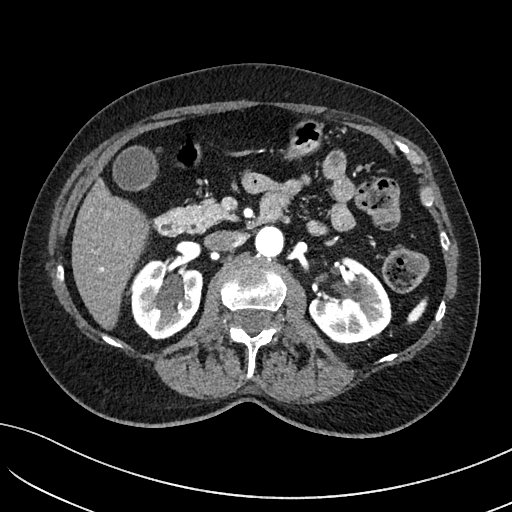
Arterial-phase contrast-enhanced abdominal CT, axial slice 73 of 234 (counted from the lowest slice); tube voltage 100 kVp, convolution kernel I40f; slices 2.00 mm thick, 0.699 mm per pixel.
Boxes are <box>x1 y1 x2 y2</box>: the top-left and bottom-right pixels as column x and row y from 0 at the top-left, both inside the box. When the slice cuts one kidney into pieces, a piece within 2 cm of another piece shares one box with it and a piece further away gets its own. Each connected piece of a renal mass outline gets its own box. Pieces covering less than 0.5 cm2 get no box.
Two boxes on this slice (two kidney boxes), listed by box centre from the image's left to its right. (1) At <box>128 259 203 339</box>: right kidney (outlined area 4,537 px, about 22.2 cm2). (2) Left kidney: <box>308 257 391 343</box> (outlined area 4,830 px, about 23.6 cm2). No renal mass is outlined on this slice.